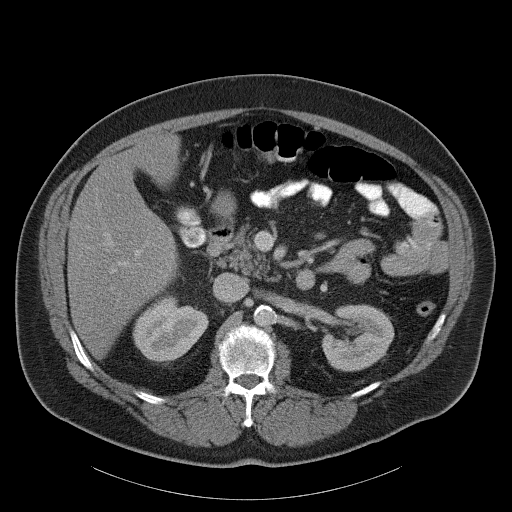
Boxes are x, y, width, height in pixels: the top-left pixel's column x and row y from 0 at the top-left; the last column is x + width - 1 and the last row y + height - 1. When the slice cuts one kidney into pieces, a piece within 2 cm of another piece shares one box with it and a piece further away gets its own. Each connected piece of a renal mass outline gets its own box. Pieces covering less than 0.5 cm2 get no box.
This is axial slice 68 of 107 (slice 1 is the lowest) of an abdominal CT with contrast; each pixel is 0.941 mm and the slice is 5.00 mm thick. Boxed on this slice (two kidney boxes), listed by box centre from the image's left to its right: (1) Right kidney at x 133, y 296, width 76, height 66 (outlined area 3,512 px, about 31.1 cm2). (2) Box x 321, y 304, width 74, height 68: left kidney (outlined area 3,647 px, about 32.3 cm2). This slice carries no renal mass outline.
Tube voltage 120 kVp; convolution kernel B31f.